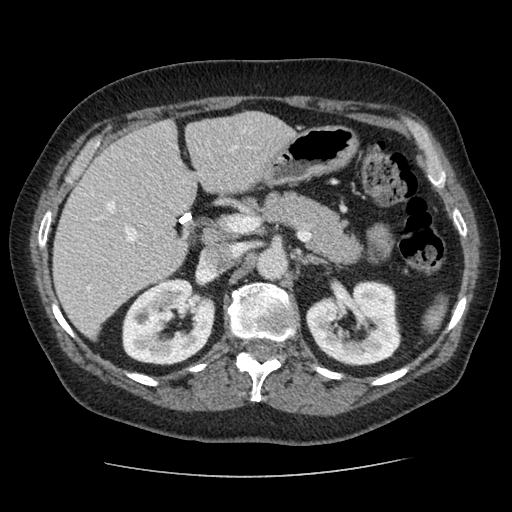
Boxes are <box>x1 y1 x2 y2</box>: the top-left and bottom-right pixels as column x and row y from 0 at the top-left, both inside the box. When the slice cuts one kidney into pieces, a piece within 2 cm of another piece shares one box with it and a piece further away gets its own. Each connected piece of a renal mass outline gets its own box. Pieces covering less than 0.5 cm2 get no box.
This is axial slice 61 of 96 (slice 1 is the lowest) of an arterial-phase abdominal CT with contrast; each pixel is 0.689 mm and the slice is 2.50 mm thick. Two kidney boxes on this slice; by box centre, from the image's left to its right: (1) Right kidney: <box>122 277 215 365</box> (outlined area 6,061 px, about 28.8 cm2). (2) Left kidney: <box>305 280 401 366</box> (outlined area 6,049 px, about 28.8 cm2). No renal mass outline on this slice.
Tube voltage 120 kVp; convolution kernel STANDARD.